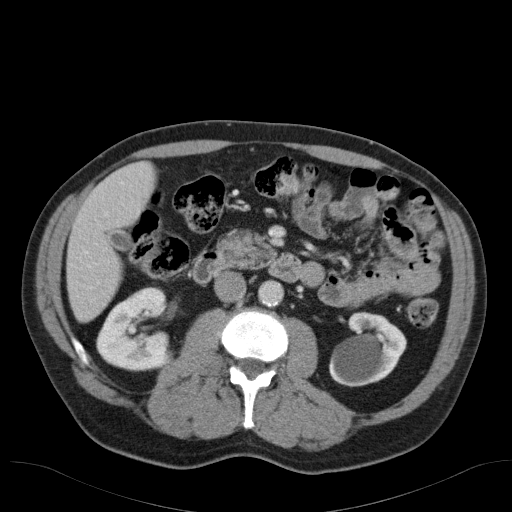
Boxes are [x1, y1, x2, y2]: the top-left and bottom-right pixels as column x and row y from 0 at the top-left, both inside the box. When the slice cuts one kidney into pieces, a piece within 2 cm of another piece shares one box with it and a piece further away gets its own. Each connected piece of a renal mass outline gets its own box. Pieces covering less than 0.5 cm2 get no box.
Slice 64/98 of a contrast-enhanced abdominal CT in the arterial phase, counting up from the lowest; pixel size 0.764 mm, slice thickness 5.00 mm. Two boxes on this slice (two kidney boxes), listed by box centre from the image's left to its right. (1) Box [96, 287, 172, 371]: right kidney (outlined area 4,704 px, about 27.4 cm2). (2) Left kidney, box [329, 311, 406, 386] (outlined area 4,096 px, about 23.9 cm2). No renal mass outline on this slice.
Acquired at 120 kVp and reconstructed with the B31f kernel.